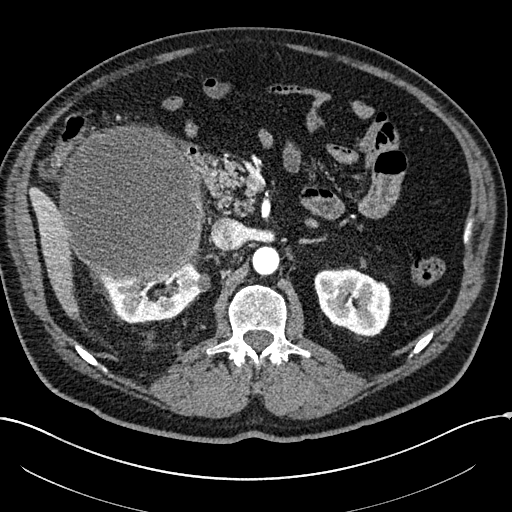
Abdominal CT with intravenous contrast, arterial phase, axial plane, 100 kVp, kernel I30f. Slice 139/304 from the bottom of the scan; thickness 2.00 mm; pixel size 0.809 mm.
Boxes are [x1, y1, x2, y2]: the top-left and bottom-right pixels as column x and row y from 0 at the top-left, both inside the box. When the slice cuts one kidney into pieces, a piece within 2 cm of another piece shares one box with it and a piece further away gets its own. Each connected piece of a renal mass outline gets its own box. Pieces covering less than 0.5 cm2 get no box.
Two kidney boxes and one renal mass box on this slice; by box centre, from the image's left to its right: (1) Right renal mass, box [59, 124, 205, 281] (outlined area 18,452 px, about 120.6 cm2). (2) Right kidney at [100, 259, 210, 323] (outlined area 3,757 px, about 24.6 cm2). (3) Left kidney, box [314, 269, 391, 336] (outlined area 4,014 px, about 26.2 cm2).